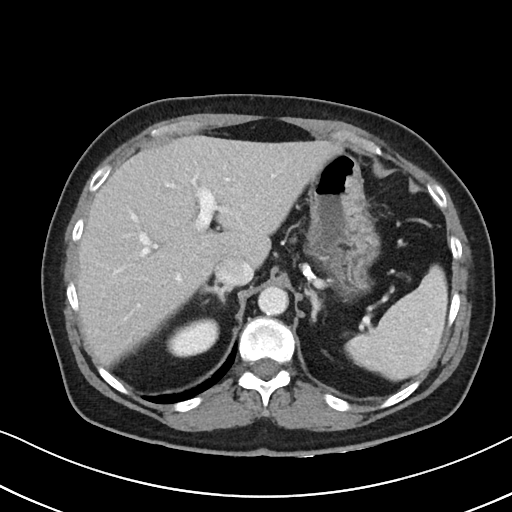
One axial slice (71 of 88, counting up from the lowest) of a contrast-enhanced abdominal CT acquired with 100 kVp, kernel I40f; each pixel is 0.674 mm and the slice is 5.00 mm thick.
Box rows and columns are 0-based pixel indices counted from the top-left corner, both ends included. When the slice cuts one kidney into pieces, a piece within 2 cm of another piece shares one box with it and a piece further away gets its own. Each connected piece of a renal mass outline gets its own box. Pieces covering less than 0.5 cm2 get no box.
Right kidney, box rows 318–357, columns 166–219 (outlined area 1,559 px, about 7.1 cm2). No renal mass is outlined on this slice.